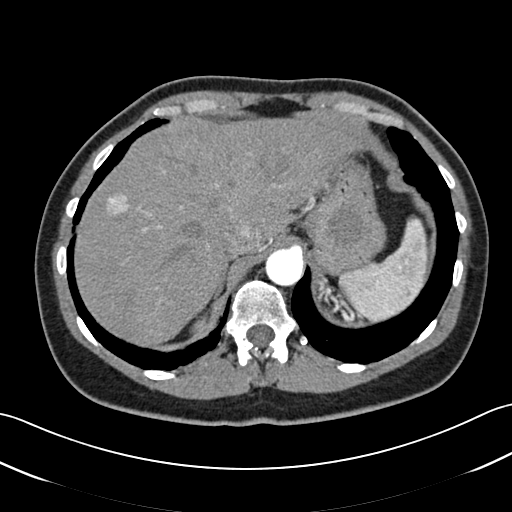
Abdominal CT with intravenous contrast, arterial phase, axial plane, 120 kVp, kernel B30f. Slice 46/52 from the bottom of the scan; thickness 3.00 mm; pixel size 0.678 mm.
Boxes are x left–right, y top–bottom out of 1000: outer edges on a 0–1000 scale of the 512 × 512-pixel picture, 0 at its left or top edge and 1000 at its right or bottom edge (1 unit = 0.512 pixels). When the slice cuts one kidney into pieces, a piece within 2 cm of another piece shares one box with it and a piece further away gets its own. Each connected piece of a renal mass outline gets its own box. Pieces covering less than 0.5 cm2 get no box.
Right kidney at x 371–412, y 605–654 out of 1000 (outlined area 223 px, about 1.0 cm2). This slice carries no renal mass outline.